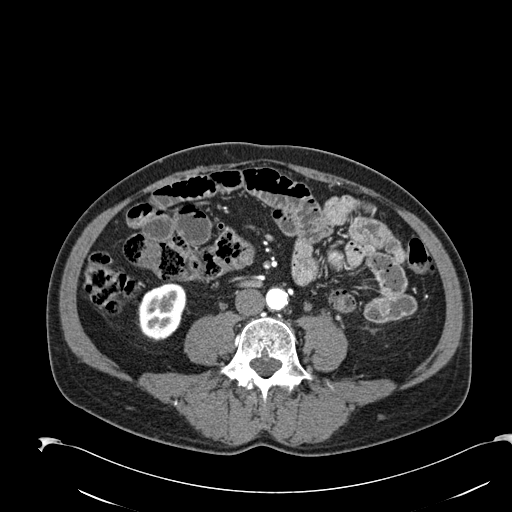
Axial slice 52 of 274 of a contrast-enhanced abdominal CT in the arterial phase (slice 1 is the lowest), 120 kVp, kernel B30f; 2.00 mm slice thickness and 0.809 mm pixels.
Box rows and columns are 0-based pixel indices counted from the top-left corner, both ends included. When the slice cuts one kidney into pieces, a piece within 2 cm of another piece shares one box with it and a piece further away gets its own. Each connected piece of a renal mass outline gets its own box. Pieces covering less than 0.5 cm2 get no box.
Right kidney, box rows 283–341, columns 137–186 (outlined area 2,185 px, about 14.3 cm2). No renal mass is outlined on this slice.